Abdominal CT with intravenous contrast, arterial phase, axial plane, 120 kVp, kernel I40f. Slice 55/96 from the bottom of the scan; thickness 5.00 mm; pixel size 0.840 mm.
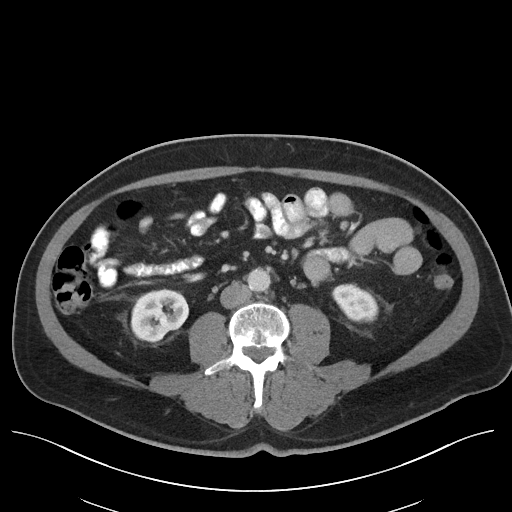
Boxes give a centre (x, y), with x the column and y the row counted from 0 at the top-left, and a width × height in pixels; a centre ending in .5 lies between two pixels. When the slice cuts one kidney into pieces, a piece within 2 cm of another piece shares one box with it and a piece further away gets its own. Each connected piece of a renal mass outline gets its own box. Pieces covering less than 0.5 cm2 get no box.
Boxed on this slice (two kidney boxes), listed by box centre from the image's left to its right: (1) Right kidney, box centre (159, 315), 59 × 53 pixels (outlined area 2,339 px, about 16.5 cm2). (2) Box centre (354.5, 302.5), 46 × 38 pixels: left kidney (outlined area 1,280 px, about 9.0 cm2). This slice carries no renal mass outline.